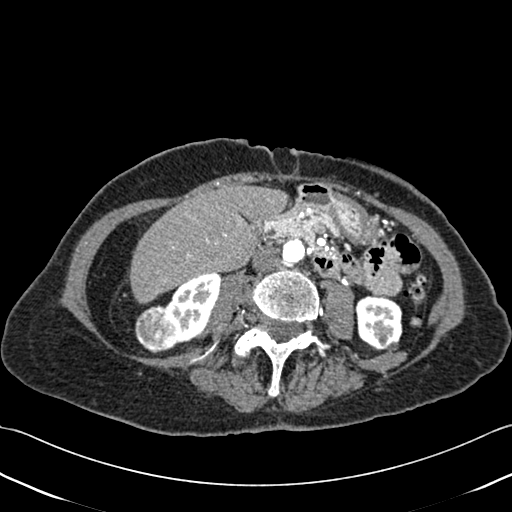
Contrast-enhanced abdominal CT, axial slice 185 of 433 (counted from the lowest slice); tube voltage 120 kVp, convolution kernel B30f; slices 1.00 mm thick, 0.672 mm per pixel.
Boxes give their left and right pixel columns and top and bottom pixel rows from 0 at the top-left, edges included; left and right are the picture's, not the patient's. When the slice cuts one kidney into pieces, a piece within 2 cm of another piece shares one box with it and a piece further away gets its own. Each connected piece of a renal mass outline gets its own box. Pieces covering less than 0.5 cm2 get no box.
Boxed on this slice (two kidney boxes and one renal mass box), listed by box centre from the image's left to its right: (1) Box with left 135, top 305, right 179, bottom 353: right renal mass (outlined area 1,652 px, about 7.5 cm2). (2) Box with left 164, top 273, right 220, bottom 344: right kidney (outlined area 2,375 px, about 10.7 cm2). (3) Box with left 355, top 295, right 402, bottom 350: left kidney (outlined area 2,180 px, about 9.8 cm2).